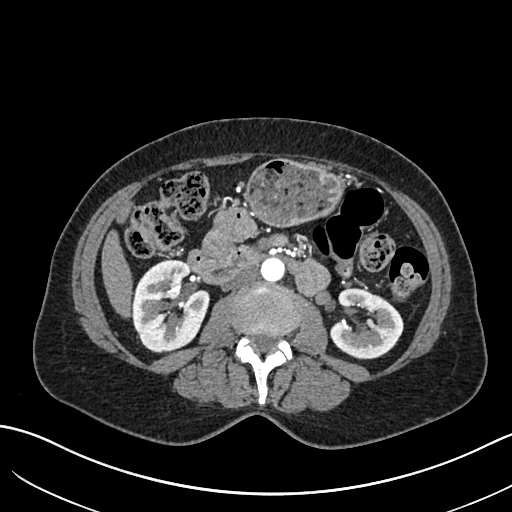
Axial slice 345 of 683 of a contrast-enhanced abdominal CT in the arterial phase (slice 1 is the lowest), 120 kVp, kernel I30f; 1.00 mm slice thickness and 0.738 mm pixels.
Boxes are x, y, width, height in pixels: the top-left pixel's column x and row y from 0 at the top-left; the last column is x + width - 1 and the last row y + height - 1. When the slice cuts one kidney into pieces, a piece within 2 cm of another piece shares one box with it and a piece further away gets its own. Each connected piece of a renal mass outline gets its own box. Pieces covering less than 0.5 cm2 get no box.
Two kidney boxes on this slice; by box centre, from the image's left to its right: (1) Right kidney, box x 132, y 259, width 78, height 94 (outlined area 5,476 px, about 29.8 cm2). (2) Left kidney, box x 329, y 288, width 75, height 72 (outlined area 3,748 px, about 20.4 cm2). No renal mass is outlined on this slice.